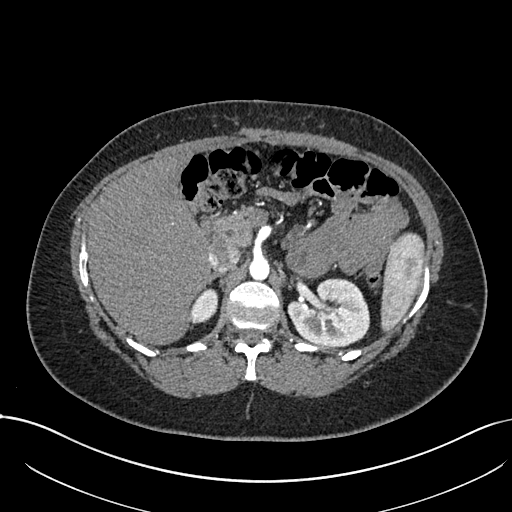
One axial slice (490 of 738, counting up from the lowest) of an arterial-phase abdominal CT acquired with 120 kVp, kernel I30f; each pixel is 0.789 mm and the slice is 1.00 mm thick.
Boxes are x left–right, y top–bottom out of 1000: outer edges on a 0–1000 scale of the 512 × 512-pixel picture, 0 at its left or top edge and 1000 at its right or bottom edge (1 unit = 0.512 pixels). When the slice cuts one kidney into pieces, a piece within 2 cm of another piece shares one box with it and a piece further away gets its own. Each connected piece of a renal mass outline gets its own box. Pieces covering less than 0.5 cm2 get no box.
Boxed on this slice (two kidney boxes), listed by box centre from the image's left to its right: (1) Right kidney, box x 371–428, y 563–635 out of 1000 (outlined area 749 px, about 4.7 cm2). (2) Left kidney, box x 561–723, y 543–678 out of 1000 (outlined area 4,317 px, about 26.9 cm2). This slice carries no renal mass outline.